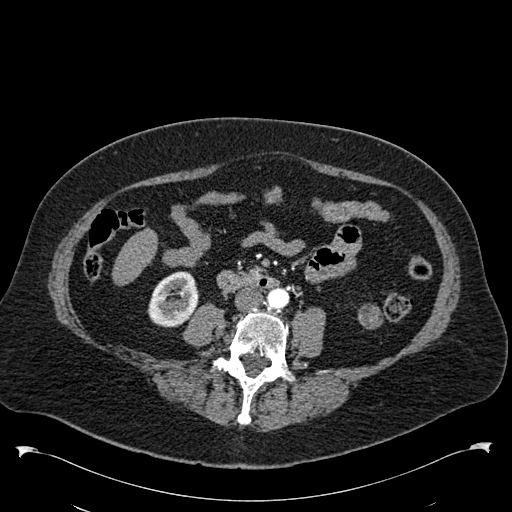
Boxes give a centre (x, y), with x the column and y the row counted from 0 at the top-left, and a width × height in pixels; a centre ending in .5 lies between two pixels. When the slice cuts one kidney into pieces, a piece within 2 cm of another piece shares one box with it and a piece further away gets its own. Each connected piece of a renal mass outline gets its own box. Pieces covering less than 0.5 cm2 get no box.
This is axial slice 222 of 538 (slice 1 is the lowest) of an arterial-phase abdominal CT with contrast; each pixel is 0.811 mm and the slice is 1.00 mm thick. Boxed on this slice (one kidney box and one renal mass box), listed by box centre from the image's left to its right: (1) Right kidney in a box with centre (172.5, 299), 52 × 57 pixels (outlined area 2,177 px, about 14.3 cm2). (2) Left renal mass, box centre (370.5, 316), 26 × 27 pixels (outlined area 517 px, about 3.4 cm2); on this slice it lies more than 1 cm from any kidney outline, but the same outlined renal mass comes within 1 cm of the kidney on another slice.
Tube voltage 120 kVp; convolution kernel B30f.